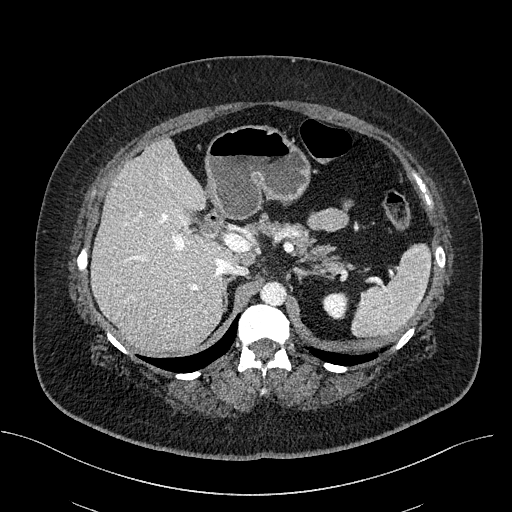
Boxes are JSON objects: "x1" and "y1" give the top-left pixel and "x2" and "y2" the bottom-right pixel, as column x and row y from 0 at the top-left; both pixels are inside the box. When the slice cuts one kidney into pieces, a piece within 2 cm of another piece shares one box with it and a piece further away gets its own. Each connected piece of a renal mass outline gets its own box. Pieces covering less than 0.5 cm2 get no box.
Contrast-enhanced abdominal CT, axial slice 345 of 470 (counted from the lowest slice); 2.00 mm thick, 0.824 mm per pixel. Left kidney at {"x1": 322, "y1": 292, "x2": 348, "y2": 319} (outlined area 565 px, about 3.8 cm2). This slice carries no renal mass outline.
Tube voltage 100 kVp; convolution kernel I40f.